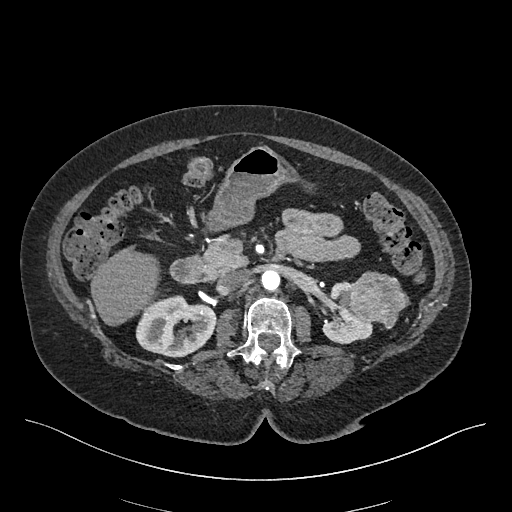
Axial slice 264 of 548 of a contrast-enhanced abdominal CT in the arterial phase (slice 1 is the lowest), 120 kVp, kernel I26f; 1.00 mm slice thickness and 0.852 mm pixels.
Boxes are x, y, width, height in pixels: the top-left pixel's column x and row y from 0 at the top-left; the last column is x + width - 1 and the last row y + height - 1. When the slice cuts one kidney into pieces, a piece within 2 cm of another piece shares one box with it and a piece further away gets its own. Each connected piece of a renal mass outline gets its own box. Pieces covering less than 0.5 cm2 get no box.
Two kidney boxes and one renal mass box on this slice; by box centre, from the image's left to its right: (1) Box x 136, y 295, width 81, height 63: right kidney (outlined area 3,677 px, about 26.7 cm2). (2) Left kidney at x 322, y 281, width 51, height 64 (outlined area 1,902 px, about 13.8 cm2). (3) Left renal mass at x 348, y 271, width 63, height 58 (outlined area 2,435 px, about 17.7 cm2).